Abdominal CT with intravenous contrast, arterial phase, axial plane, 120 kVp, kernel I30f. Slice 210/670 from the bottom of the scan; thickness 1.00 mm; pixel size 0.861 mm.
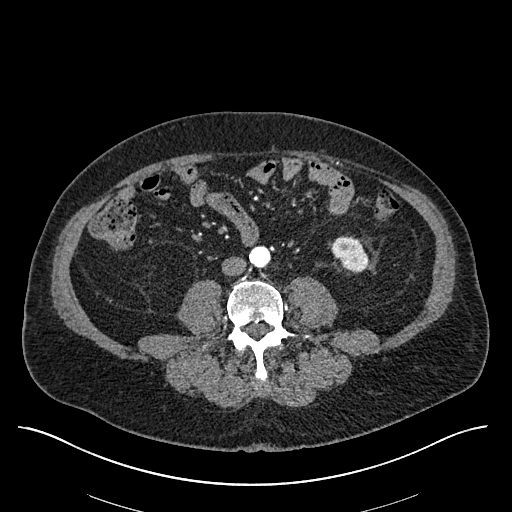
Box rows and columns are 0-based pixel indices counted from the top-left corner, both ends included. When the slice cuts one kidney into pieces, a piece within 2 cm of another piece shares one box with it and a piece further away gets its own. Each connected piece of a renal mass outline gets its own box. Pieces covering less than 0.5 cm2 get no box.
Box rows 236–272, columns 330–369: left kidney (outlined area 1,000 px, about 7.4 cm2). No renal mass outline on this slice.